Axial slice 65 of 102 of a contrast-enhanced abdominal CT (slice 1 is the lowest), 120 kVp, kernel I40f; 5.00 mm slice thickness and 0.977 mm pixels.
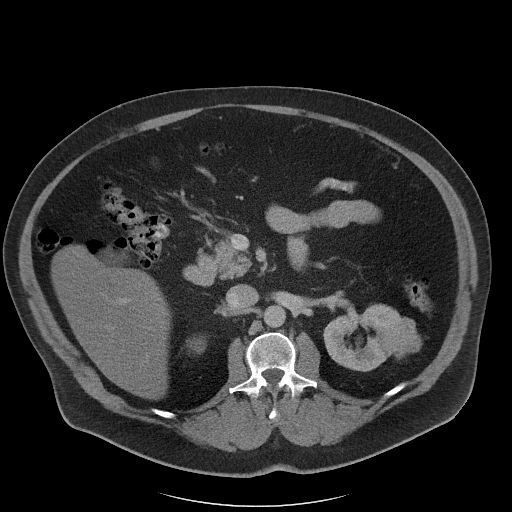
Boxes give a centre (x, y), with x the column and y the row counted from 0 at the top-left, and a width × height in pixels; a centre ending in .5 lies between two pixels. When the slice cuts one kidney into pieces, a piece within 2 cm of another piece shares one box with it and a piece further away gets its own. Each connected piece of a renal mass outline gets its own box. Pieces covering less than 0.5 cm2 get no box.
Boxed on this slice (two kidney boxes and one renal mass box), listed by box centre from the image's left to its right: (1) Box centre (196, 344.5), 19 × 18 pixels: right kidney (outlined area 234 px, about 2.2 cm2). (2) Left kidney in a box with centre (361, 337), 75 × 69 pixels (outlined area 2,869 px, about 27.4 cm2). (3) Box centre (399, 337), 45 × 43 pixels: left renal mass (outlined area 1,430 px, about 13.6 cm2).